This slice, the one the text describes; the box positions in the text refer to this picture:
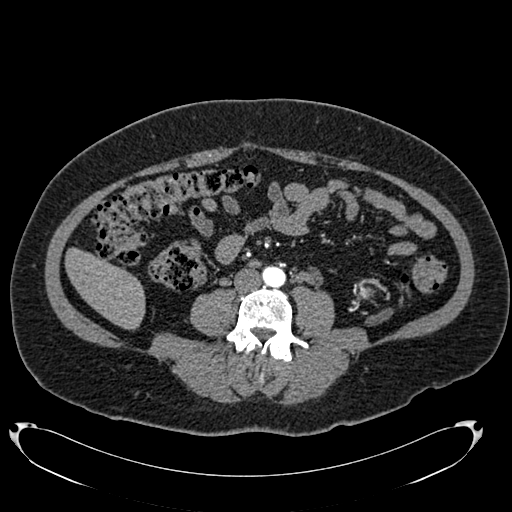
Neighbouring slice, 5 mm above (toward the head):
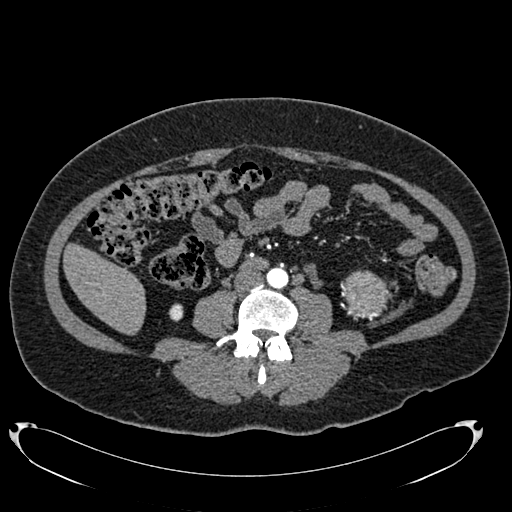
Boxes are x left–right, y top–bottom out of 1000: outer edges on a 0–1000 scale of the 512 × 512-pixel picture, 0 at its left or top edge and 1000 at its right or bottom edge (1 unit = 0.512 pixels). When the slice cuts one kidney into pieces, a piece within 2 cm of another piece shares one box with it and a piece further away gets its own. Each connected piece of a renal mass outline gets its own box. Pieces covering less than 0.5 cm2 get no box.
This is axial slice 305 of 634 (slice 1 is the lowest) of an arterial-phase abdominal CT with contrast; each pixel is 0.838 mm and the slice is 1.00 mm thick. Left renal mass, box x 701–727, y 557–584 out of 1000 (outlined area 132 px, about 0.9 cm2); no kidney outline appears on this slice, but the same outlined renal mass comes within 1 cm of the kidney on another slice. This slice is near the end of the left renal mass toward the feet, so the slice 5 mm above it is shown as well; the boxes refer to this slice only.
Scan settings: 120 kVp, B20f reconstruction kernel.